One axial slice (100 of 301, counting up from the lowest) of a contrast-enhanced abdominal CT acquired with 120 kVp, kernel I40f; each pixel is 0.859 mm and the slice is 2.00 mm thick.
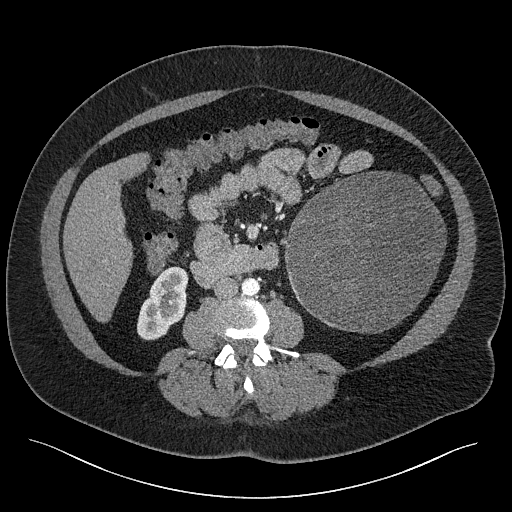
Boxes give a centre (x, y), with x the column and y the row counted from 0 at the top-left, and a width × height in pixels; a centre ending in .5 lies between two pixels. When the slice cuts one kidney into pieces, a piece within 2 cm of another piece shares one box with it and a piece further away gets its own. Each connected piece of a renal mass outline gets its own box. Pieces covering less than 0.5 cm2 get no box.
Two boxes on this slice (one kidney box and one renal mass box), listed by box centre from the image's left to its right. (1) Right kidney, box centre (162.5, 303), 52 × 75 pixels (outlined area 2,615 px, about 19.3 cm2). (2) Left renal mass, box centre (365, 252), 163 × 163 pixels (outlined area 20,126 px, about 148.6 cm2); on this slice it lies more than 1 cm from any kidney outline, but the same outlined renal mass comes within 1 cm of the kidney on another slice.